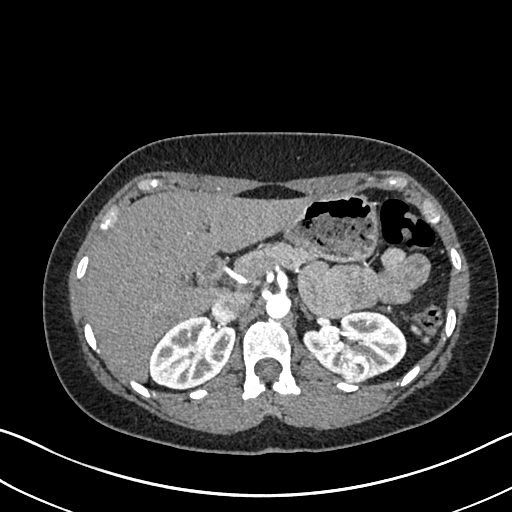
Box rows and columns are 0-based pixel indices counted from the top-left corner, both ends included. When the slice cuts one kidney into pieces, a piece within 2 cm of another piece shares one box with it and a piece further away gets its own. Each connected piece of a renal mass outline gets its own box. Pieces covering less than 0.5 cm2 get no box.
Arterial-phase contrast-enhanced abdominal CT, axial slice 476 of 612 (counted from the lowest slice); 1.00 mm thick, 0.703 mm per pixel. Two kidney boxes and one renal mass box on this slice; by box centre, from the image's left to its right: (1) Box rows 315–389, columns 149–234: right kidney (outlined area 4,647 px, about 23.0 cm2). (2) Box rows 354–381, columns 339–367: left renal mass (outlined area 683 px, about 3.4 cm2). (3) Box rows 310–378, columns 303–406: left kidney (outlined area 4,536 px, about 22.4 cm2).
Acquired at 120 kVp and reconstructed with the I30f kernel.